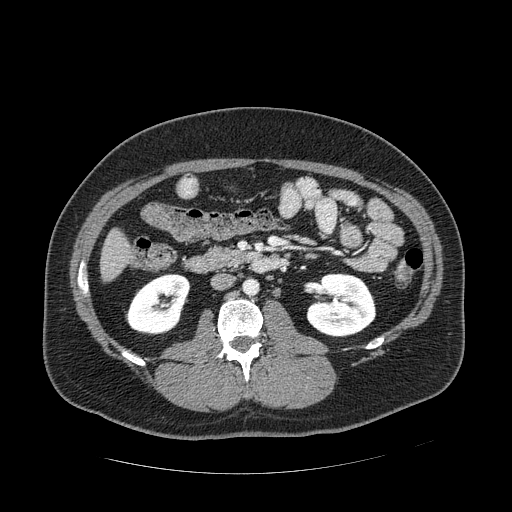
One axial slice (245 of 389, counting up from the lowest) of an arterial-phase abdominal CT acquired with 120 kVp, kernel STANDARD; each pixel is 0.869 mm and the slice is 1.25 mm thick.
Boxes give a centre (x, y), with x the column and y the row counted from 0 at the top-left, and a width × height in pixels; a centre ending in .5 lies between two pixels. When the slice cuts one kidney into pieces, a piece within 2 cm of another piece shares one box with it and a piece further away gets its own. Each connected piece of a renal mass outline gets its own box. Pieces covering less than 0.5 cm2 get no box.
Two boxes on this slice (two kidney boxes), listed by box centre from the image's left to its right. (1) Right kidney in a box with centre (157.5, 304), 66 × 63 pixels (outlined area 2,892 px, about 21.8 cm2). (2) Left kidney, box centre (341, 305), 71 × 65 pixels (outlined area 3,494 px, about 26.4 cm2). This slice carries no renal mass outline.